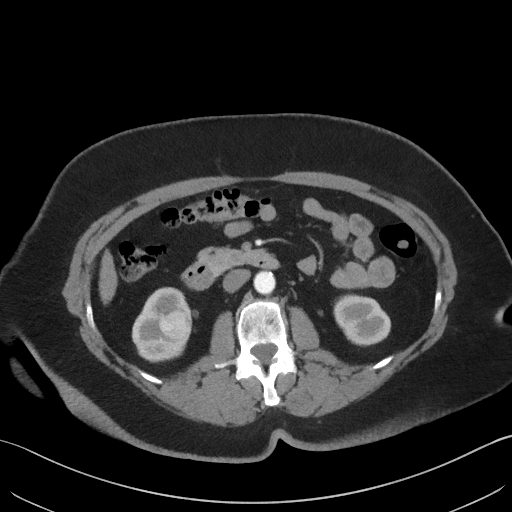
Abdominal CT with intravenous contrast, axial plane, 140 kVp, kernel I41f. Slice 23/69 from the bottom of the scan; thickness 3.00 mm; pixel size 0.736 mm.
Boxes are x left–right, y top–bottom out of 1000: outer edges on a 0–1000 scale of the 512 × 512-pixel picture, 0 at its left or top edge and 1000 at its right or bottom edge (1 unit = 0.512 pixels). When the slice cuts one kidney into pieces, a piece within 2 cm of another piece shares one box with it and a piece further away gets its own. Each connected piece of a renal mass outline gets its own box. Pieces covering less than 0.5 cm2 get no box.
Three boxes on this slice (two kidney boxes and one renal mass box), listed by box centre from the image's left to its right. (1) Right kidney, box x 256–375, y 561–709 out of 1000 (outlined area 2,778 px, about 15.1 cm2). (2) Right renal mass, box x 309–369, y 604–664 out of 1000 (outlined area 723 px, about 3.9 cm2). (3) Box x 650–766, y 574–678 out of 1000: left kidney (outlined area 2,279 px, about 12.4 cm2).